Axial slice 626 of 719 of a contrast-enhanced abdominal CT in the arterial phase (slice 1 is the lowest), 120 kVp, kernel B20f; 1.00 mm slice thickness and 0.766 mm pixels.
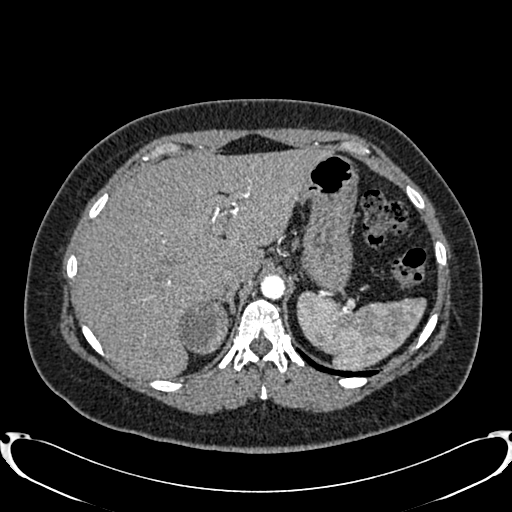
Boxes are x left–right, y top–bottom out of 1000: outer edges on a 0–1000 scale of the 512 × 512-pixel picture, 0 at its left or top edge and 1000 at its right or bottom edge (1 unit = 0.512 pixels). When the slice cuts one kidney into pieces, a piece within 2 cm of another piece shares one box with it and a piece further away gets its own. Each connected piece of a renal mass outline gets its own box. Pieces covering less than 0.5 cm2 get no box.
Box x 350–449, y 584–693 out of 1000: right renal mass (outlined area 2,165 px, about 12.7 cm2); no kidney outline appears on this slice, but the same outlined renal mass comes within 1 cm of the kidney on another slice.